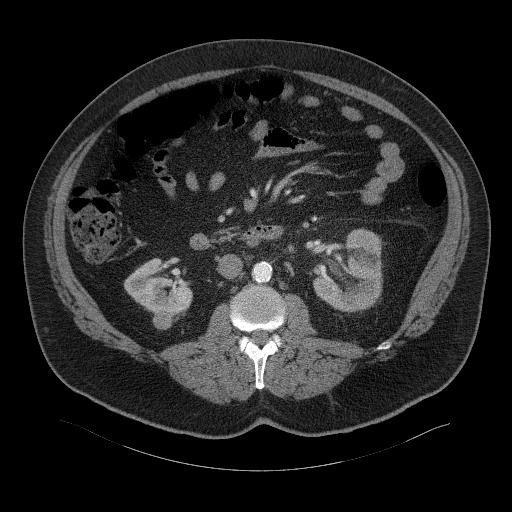
Contrast-enhanced abdominal CT, axial slice 24 of 94 (counted from the lowest slice); tube voltage 120 kVp, convolution kernel B41f; slices 3.00 mm thick, 0.977 mm per pixel.
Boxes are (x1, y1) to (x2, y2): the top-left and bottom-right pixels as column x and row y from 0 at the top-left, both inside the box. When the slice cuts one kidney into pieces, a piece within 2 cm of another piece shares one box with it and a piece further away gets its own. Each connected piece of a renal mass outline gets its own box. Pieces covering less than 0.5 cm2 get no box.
Two kidney boxes and one renal mass box on this slice; by box centre, from the image's left to its right: (1) Right kidney, box (124, 258) to (192, 316) (outlined area 2,441 px, about 23.3 cm2). (2) Right renal mass from (153, 310) to (171, 328) (outlined area 290 px, about 2.8 cm2). (3) Left kidney from (313, 229) to (383, 312) (outlined area 4,184 px, about 39.9 cm2).